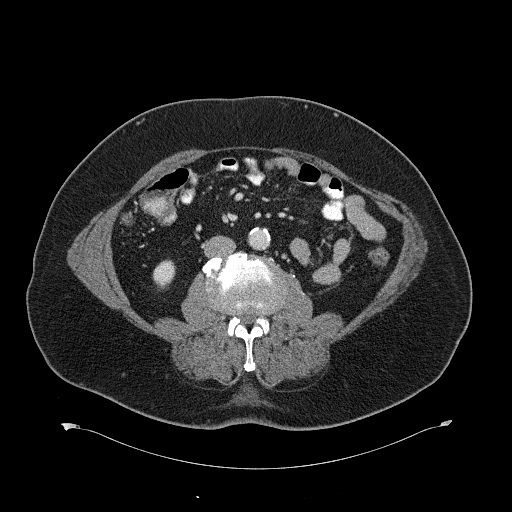
Contrast-enhanced abdominal CT, axial slice 307 of 734 (counted from the lowest slice); tube voltage 120 kVp, convolution kernel B31f; slices 2.00 mm thick, 0.971 mm per pixel.
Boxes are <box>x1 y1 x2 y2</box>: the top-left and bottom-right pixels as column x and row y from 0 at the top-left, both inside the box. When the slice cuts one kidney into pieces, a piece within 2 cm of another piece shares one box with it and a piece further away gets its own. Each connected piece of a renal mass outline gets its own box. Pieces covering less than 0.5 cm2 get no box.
Right kidney: <box>152 259 175 290</box> (outlined area 527 px, about 5.0 cm2). This slice carries no renal mass outline.